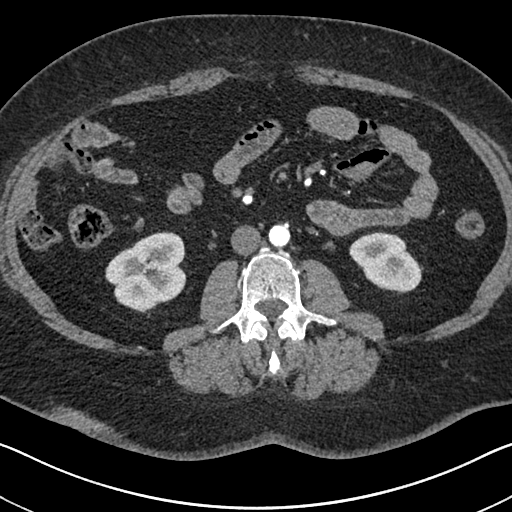
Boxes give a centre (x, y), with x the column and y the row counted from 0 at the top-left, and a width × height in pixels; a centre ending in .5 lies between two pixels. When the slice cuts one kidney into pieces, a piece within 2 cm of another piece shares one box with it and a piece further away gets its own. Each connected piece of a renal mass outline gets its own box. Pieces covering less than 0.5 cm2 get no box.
This is axial slice 320 of 591 (slice 1 is the lowest) of an arterial-phase abdominal CT with contrast; each pixel is 0.703 mm and the slice is 1.00 mm thick. Two kidney boxes on this slice; by box centre, from the image's left to its right: (1) Box centre (145.5, 271.5), 82 × 82 pixels: right kidney (outlined area 4,747 px, about 23.5 cm2). (2) Left kidney, box centre (386, 262), 75 × 63 pixels (outlined area 3,109 px, about 15.4 cm2). No renal mass outline on this slice.
Scan settings: 140 kVp, I30f reconstruction kernel.